Abdominal CT with intravenous contrast, arterial phase, axial plane, 100 kVp, kernel I30f. Slice 106/325 from the bottom of the scan; thickness 1.00 mm; pixel size 0.703 mm.
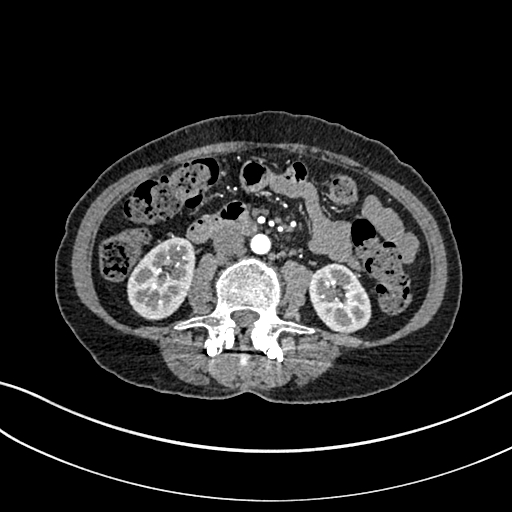
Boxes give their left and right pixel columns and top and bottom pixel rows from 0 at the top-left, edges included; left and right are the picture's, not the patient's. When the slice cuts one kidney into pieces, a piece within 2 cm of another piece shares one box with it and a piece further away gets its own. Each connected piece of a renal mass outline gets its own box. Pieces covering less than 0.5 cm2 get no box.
Boxed on this slice (two kidney boxes), listed by box centre from the image's left to its right: (1) Box with left 127, top 235, right 195, bottom 320: right kidney (outlined area 4,210 px, about 20.8 cm2). (2) Left kidney in the box with left 309, top 262, right 371, bottom 333 (outlined area 3,331 px, about 16.5 cm2). No renal mass outline on this slice.